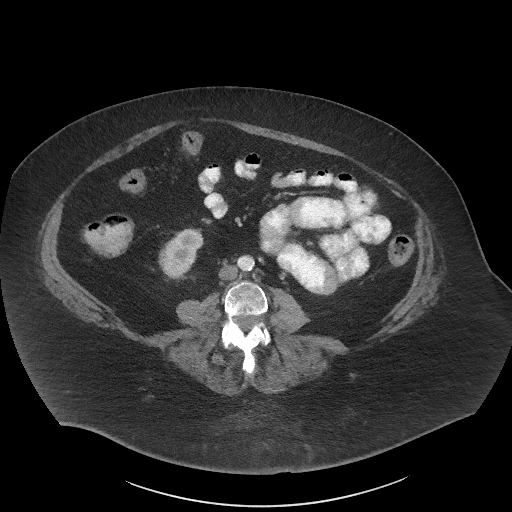
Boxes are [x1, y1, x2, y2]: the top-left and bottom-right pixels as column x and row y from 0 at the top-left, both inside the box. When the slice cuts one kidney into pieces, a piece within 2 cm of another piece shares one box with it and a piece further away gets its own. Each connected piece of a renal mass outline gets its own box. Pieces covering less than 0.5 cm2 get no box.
This is axial slice 10 of 61 (slice 1 is the lowest) of an arterial-phase abdominal CT with contrast; each pixel is 0.947 mm and the slice is 3.00 mm thick. Right kidney at [158, 228, 203, 280] (outlined area 1,596 px, about 14.3 cm2). This slice carries no renal mass outline.
Tube voltage 140 kVp; convolution kernel I41f.